One axial slice (32 of 113, counting up from the lowest) of a contrast-enhanced abdominal CT acquired with 120 kVp, kernel B31f; each pixel is 0.742 mm and the slice is 2.00 mm thick.
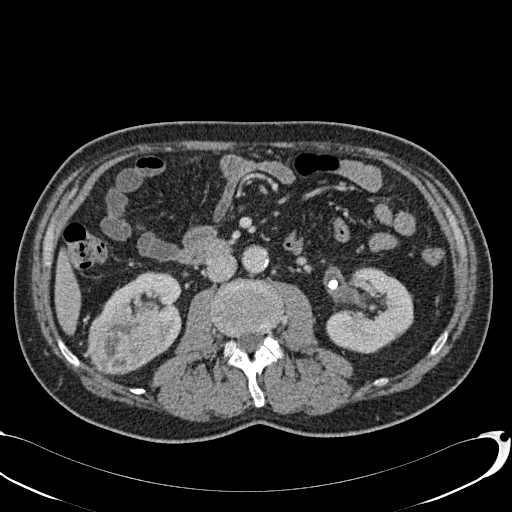
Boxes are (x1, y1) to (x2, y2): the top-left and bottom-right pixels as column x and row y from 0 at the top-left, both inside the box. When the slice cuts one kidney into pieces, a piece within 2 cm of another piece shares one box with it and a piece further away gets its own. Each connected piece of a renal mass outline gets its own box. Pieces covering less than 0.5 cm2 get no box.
Three boxes on this slice (two kidney boxes and one renal mass box), listed by box centre from the image's left to its right. (1) Right renal mass, box (87, 310) to (164, 375) (outlined area 4,080 px, about 22.5 cm2). (2) Box (101, 271) to (181, 355): right kidney (outlined area 3,024 px, about 16.7 cm2). (3) Left kidney, box (326, 267) to (413, 353) (outlined area 5,358 px, about 29.5 cm2).